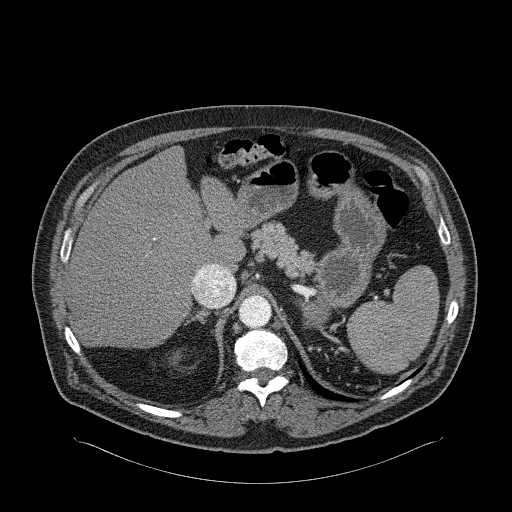
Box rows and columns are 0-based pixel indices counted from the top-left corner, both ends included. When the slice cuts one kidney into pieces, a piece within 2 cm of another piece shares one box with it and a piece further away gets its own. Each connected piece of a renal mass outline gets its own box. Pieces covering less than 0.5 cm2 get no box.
This is axial slice 205 of 326 (slice 1 is the lowest) of an arterial-phase abdominal CT with contrast; each pixel is 0.963 mm and the slice is 2.00 mm thick. Right kidney at rows 351–365, columns 169–181 (outlined area 108 px, about 1.0 cm2). No renal mass is outlined on this slice.
Tube voltage 120 kVp; convolution kernel B31f.